One axial slice (343 of 527, counting up from the lowest) of an arterial-phase abdominal CT acquired with 120 kVp, kernel I30f; each pixel is 0.859 mm and the slice is 1.00 mm thick.
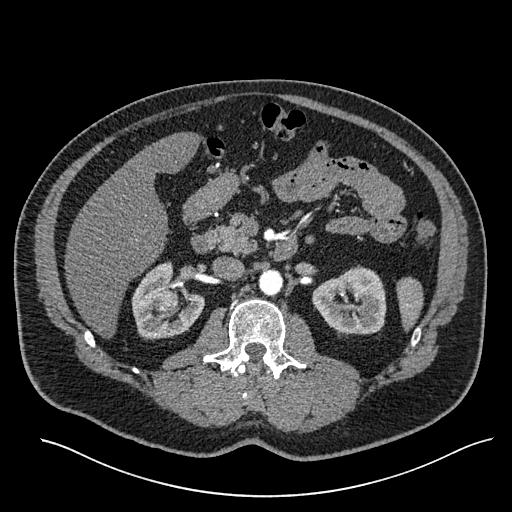
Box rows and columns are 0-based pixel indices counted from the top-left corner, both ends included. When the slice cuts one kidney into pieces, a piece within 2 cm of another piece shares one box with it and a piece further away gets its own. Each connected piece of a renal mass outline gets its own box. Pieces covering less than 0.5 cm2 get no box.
Boxed on this slice (two kidney boxes and one renal mass box), listed by box centre from the image's left to its right: (1) Right renal mass, box rows 289–309, columns 156–177 (outlined area 362 px, about 2.7 cm2). (2) Right kidney at rows 262–340, columns 131–204 (outlined area 3,508 px, about 25.9 cm2). (3) Box rows 265–336, columns 312–386: left kidney (outlined area 3,863 px, about 28.5 cm2).